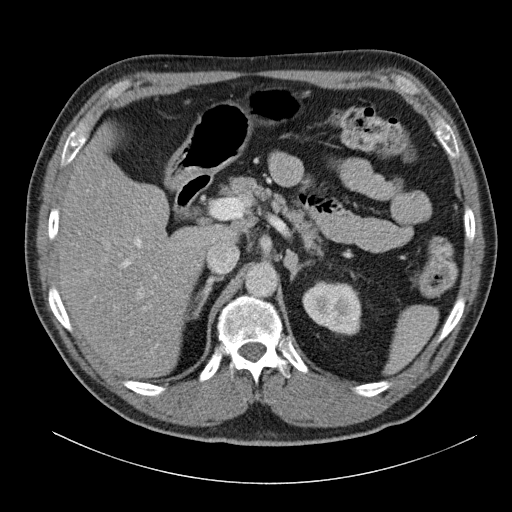
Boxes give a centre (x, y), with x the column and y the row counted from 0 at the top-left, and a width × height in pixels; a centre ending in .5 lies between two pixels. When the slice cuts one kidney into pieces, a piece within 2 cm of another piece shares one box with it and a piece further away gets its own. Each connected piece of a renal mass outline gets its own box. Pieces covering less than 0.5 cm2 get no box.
Slice 84/140 of a contrast-enhanced abdominal CT in the arterial phase, counting up from the lowest; pixel size 0.754 mm, slice thickness 5.00 mm. Box centre (331.5, 307.5), 60 × 56 pixels: left kidney (outlined area 2,517 px, about 14.3 cm2). No renal mass is outlined on this slice.
Tube voltage 120 kVp; convolution kernel B31f.